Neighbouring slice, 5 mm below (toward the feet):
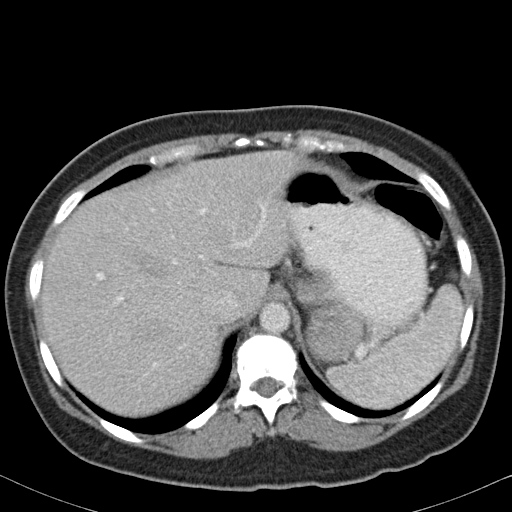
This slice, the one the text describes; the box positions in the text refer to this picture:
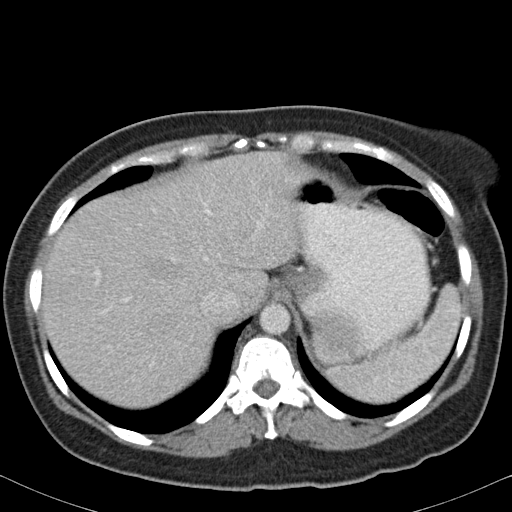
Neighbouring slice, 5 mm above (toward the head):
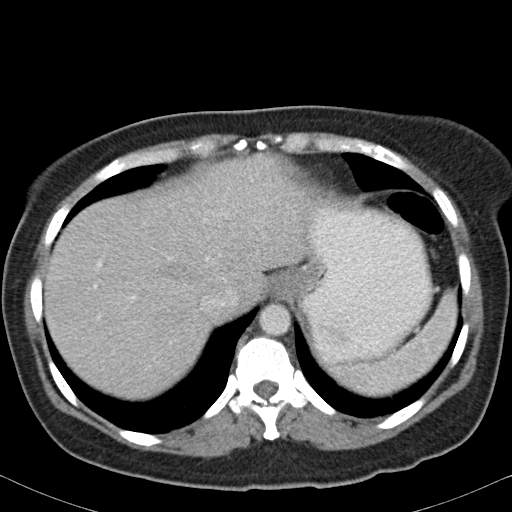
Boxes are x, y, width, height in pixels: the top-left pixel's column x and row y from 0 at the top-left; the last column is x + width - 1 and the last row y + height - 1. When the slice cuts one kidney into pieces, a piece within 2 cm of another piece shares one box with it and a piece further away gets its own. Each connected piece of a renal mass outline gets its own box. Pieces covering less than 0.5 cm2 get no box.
Arterial-phase contrast-enhanced abdominal CT, axial slice 76 of 82 (counted from the lowest slice); 5.00 mm thick, 0.625 mm per pixel. Left renal mass, box x 311, y 313, width 52, height 50 (outlined area 2,200 px, about 8.6 cm2); no kidney is outlined on this slice, but the same outlined renal mass comes within 1 cm of the kidney on another slice. This slice lies near the end of the left renal mass toward the head; the slices 5 mm below and 5 mm above it are shown too, and the boxes mark positions on this slice only.
Acquired at 120 kVp and reconstructed with the B31f kernel.